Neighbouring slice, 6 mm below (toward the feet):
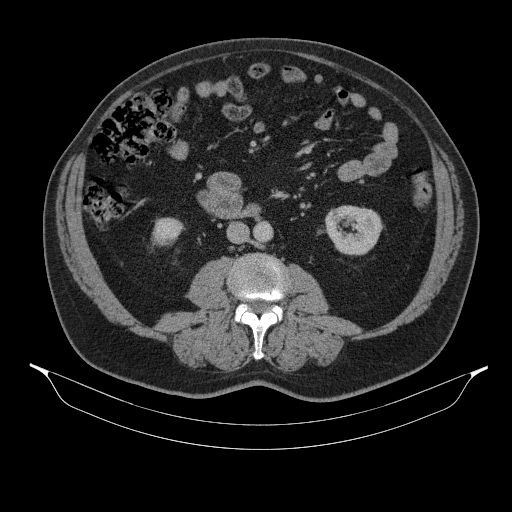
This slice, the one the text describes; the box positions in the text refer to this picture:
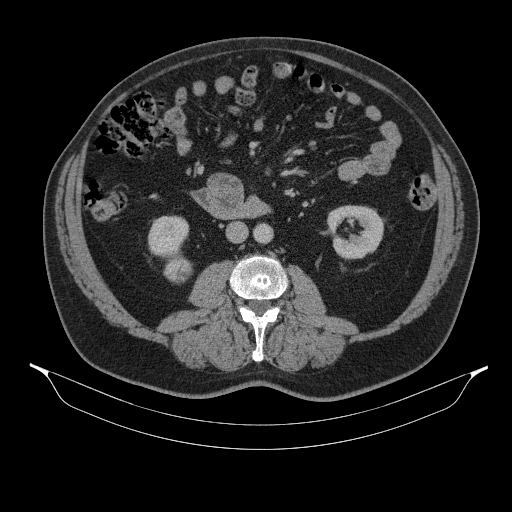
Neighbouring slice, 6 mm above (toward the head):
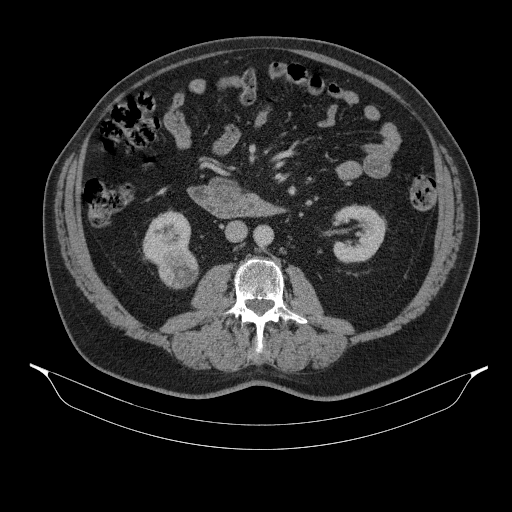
Abdominal CT with intravenous contrast, axial plane, 130 kVp, kernel B31s. Slice 178/314 from the bottom of the scan; thickness 2.50 mm; pixel size 0.934 mm.
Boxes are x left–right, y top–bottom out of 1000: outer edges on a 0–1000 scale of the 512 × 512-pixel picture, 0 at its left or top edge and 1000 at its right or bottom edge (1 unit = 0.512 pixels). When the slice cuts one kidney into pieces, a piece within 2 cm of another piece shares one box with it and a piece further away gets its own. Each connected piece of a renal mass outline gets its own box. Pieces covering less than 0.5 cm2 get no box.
Boxed on this slice (two kidney boxes and one renal mass box), listed by box centre from the image's left to its right: (1) Right kidney at x 287–371, y 420–508 out of 1000 (outlined area 1,391 px, about 12.1 cm2). (2) Right renal mass, box x 318–377, y 492–555 out of 1000 (outlined area 664 px, about 5.8 cm2). (3) Box x 637–750, y 400–508 out of 1000: left kidney (outlined area 2,293 px, about 20.0 cm2). This slice is near the end of the right renal mass toward the feet, so the slices 6 mm below and 6 mm above it are shown as well; the boxes refer to this slice only.